Abdominal CT with intravenous contrast, arterial phase, axial plane, 100 kVp, kernel I30f. Slice 135/304 from the bottom of the scan; thickness 2.00 mm; pixel size 0.809 mm.
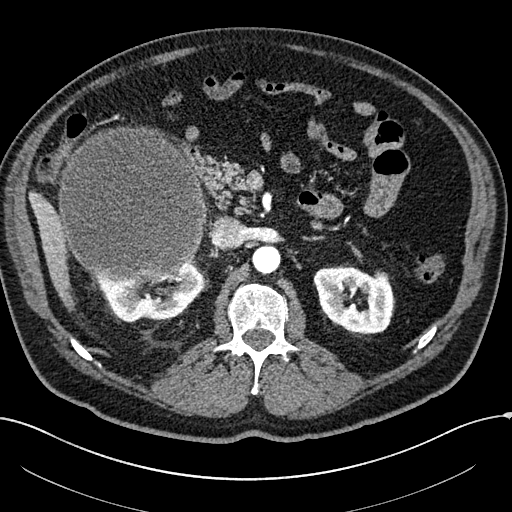
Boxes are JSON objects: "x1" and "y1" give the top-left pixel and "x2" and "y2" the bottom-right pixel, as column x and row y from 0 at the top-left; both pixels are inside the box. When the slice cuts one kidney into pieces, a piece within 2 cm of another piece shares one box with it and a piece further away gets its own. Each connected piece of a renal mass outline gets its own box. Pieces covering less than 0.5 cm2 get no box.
Boxed on this slice (two kidney boxes and one renal mass box), listed by box centre from the image's left to its right: (1) Box {"x1": 57, "y1": 126, "x2": 206, "y2": 282}: right renal mass (outlined area 18,744 px, about 122.6 cm2). (2) Box {"x1": 94, "y1": 259, "x2": 206, "y2": 321}: right kidney (outlined area 3,666 px, about 24.0 cm2). (3) Box {"x1": 313, "y1": 265, "x2": 394, "y2": 333}: left kidney (outlined area 4,242 px, about 27.7 cm2).